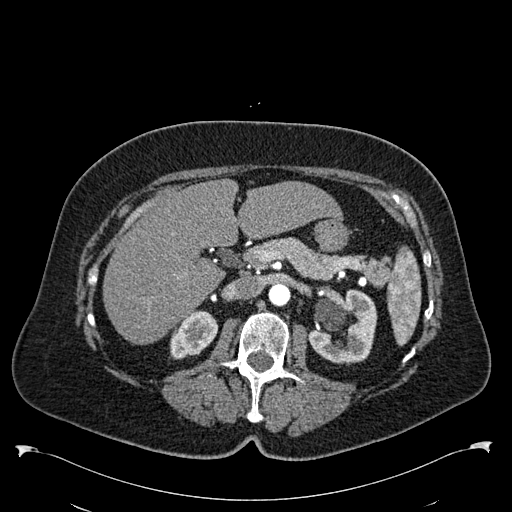
One axial slice (359 of 538, counting up from the lowest) of an arterial-phase abdominal CT acquired with 120 kVp, kernel B30f; each pixel is 0.811 mm and the slice is 1.00 mm thick.
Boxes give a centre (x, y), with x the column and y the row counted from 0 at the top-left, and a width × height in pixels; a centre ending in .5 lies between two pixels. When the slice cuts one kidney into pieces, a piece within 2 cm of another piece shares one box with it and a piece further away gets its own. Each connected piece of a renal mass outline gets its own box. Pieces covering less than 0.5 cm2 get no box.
Two boxes on this slice (two kidney boxes), listed by box centre from the image's left to its right. (1) Right kidney in a box with centre (194, 334.5), 49 × 50 pixels (outlined area 1,674 px, about 11.0 cm2). (2) Left kidney, box centre (342.5, 326), 70 × 75 pixels (outlined area 3,660 px, about 24.0 cm2). No renal mass outline on this slice.